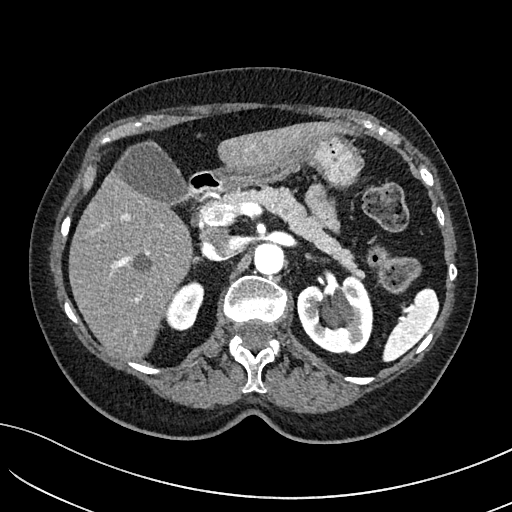
Arterial-phase contrast-enhanced abdominal CT, axial slice 98 of 234 (counted from the lowest slice); tube voltage 100 kVp, convolution kernel I40f; slices 2.00 mm thick, 0.699 mm per pixel.
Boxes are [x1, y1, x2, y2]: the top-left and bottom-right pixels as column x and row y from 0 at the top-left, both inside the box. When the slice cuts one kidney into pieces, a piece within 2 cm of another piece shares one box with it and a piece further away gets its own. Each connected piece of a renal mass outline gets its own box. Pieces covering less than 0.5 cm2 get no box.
Boxed on this slice (two kidney boxes), listed by box centre from the image's left to its right: (1) Right kidney at [163, 280, 204, 329] (outlined area 1,362 px, about 6.7 cm2). (2) Box [297, 274, 373, 354]: left kidney (outlined area 4,696 px, about 23.0 cm2). This slice carries no renal mass outline.